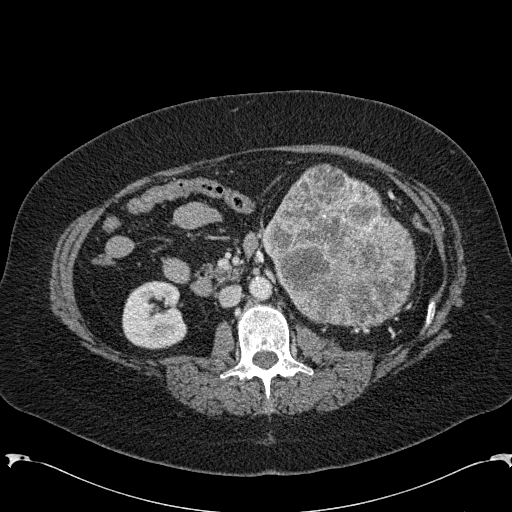
Abdominal CT with intravenous contrast, arterial phase, axial plane, 120 kVp, kernel B31f. Slice 117/285 from the bottom of the scan; thickness 2.00 mm; pixel size 0.762 mm.
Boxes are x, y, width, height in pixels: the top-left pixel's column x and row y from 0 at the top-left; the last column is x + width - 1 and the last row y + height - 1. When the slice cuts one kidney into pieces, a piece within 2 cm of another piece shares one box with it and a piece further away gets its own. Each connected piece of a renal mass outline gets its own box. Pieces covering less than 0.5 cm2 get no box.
One kidney box and one renal mass box on this slice; by box centre, from the image's left to its right: (1) Right kidney, box x 122, y 280, width 66, height 70 (outlined area 3,564 px, about 20.7 cm2). (2) Left renal mass at x 261, y 163, width 156, height 164 (outlined area 18,140 px, about 105.3 cm2); on this slice it lies more than 1 cm from any kidney outline, but the same outlined renal mass comes within 1 cm of the kidney on another slice.